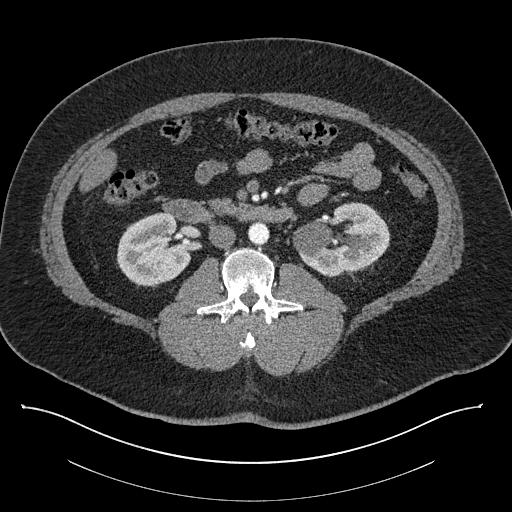
One axial slice (461 of 787, counting up from the lowest) of a contrast-enhanced abdominal CT acquired with 140 kVp, kernel I30f; each pixel is 0.910 mm and the slice is 1.00 mm thick.
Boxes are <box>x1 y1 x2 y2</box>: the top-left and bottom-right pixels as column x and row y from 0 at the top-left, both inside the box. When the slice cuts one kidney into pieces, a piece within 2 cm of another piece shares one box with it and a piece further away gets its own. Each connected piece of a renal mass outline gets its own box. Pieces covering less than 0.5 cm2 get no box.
Two boxes on this slice (two kidney boxes), listed by box centre from the image's left to its right. (1) Right kidney: <box>116 212 191 288</box> (outlined area 4,140 px, about 34.3 cm2). (2) Left kidney at <box>292 202 390 277</box> (outlined area 5,183 px, about 42.9 cm2). This slice carries no renal mass outline.